Axial slice 288 of 512 of a contrast-enhanced abdominal CT in the arterial phase (slice 1 is the lowest), 120 kVp, kernel B30f; 1.00 mm slice thickness and 0.771 mm pixels.
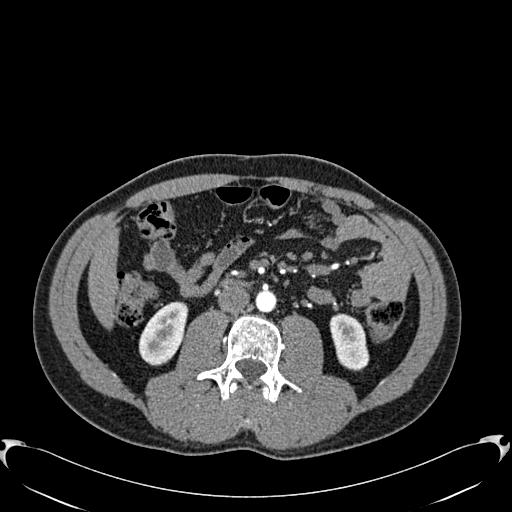
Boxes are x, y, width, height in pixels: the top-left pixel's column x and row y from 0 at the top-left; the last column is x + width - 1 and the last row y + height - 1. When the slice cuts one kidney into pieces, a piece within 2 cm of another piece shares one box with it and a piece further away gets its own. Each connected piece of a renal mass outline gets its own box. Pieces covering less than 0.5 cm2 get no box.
Boxed on this slice (two kidney boxes), listed by box centre from the image's left to its right: (1) Right kidney at x 139, y 301, width 50, height 65 (outlined area 2,237 px, about 13.3 cm2). (2) Left kidney, box x 329, y 313, width 41, height 59 (outlined area 1,715 px, about 10.2 cm2). No renal mass is outlined on this slice.